Contrast-enhanced abdominal CT, axial slice 53 of 301 (counted from the lowest slice); tube voltage 120 kVp, convolution kernel I40f; slices 2.00 mm thick, 0.859 mm per pixel.
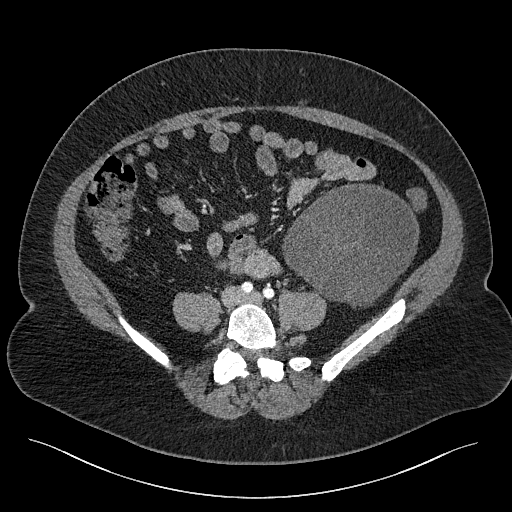
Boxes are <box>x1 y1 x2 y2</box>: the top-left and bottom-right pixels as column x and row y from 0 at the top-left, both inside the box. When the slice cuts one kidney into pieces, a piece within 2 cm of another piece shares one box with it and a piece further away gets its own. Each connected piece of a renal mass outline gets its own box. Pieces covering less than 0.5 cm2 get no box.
Left renal mass at <box>282 183 419 308</box> (outlined area 12,156 px, about 89.8 cm2).